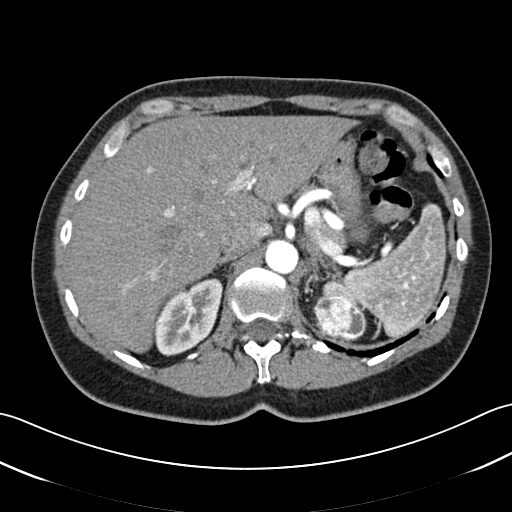
Axial slice 39 of 52 of a contrast-enhanced abdominal CT in the arterial phase (slice 1 is the lowest), 120 kVp, kernel B30f; 3.00 mm slice thickness and 0.678 mm pixels.
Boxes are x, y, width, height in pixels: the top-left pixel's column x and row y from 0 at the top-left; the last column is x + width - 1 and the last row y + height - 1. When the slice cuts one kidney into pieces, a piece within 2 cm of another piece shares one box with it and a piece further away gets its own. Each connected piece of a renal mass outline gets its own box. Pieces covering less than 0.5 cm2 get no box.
Boxed on this slice (two kidney boxes and one renal mass box), listed by box centre from the image's left to its right: (1) Right kidney at x 154, y 278, width 69, height 79 (outlined area 3,609 px, about 16.6 cm2). (2) Left renal mass, box x 313, y 295, width 54, height 45 (outlined area 1,812 px, about 8.3 cm2). (3) Box x 320, y 279, width 43, height 29: left kidney (outlined area 451 px, about 2.1 cm2).